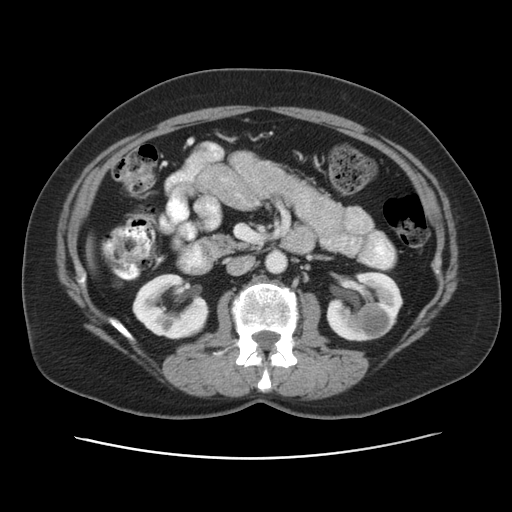
Axial slice 25 of 53 of a contrast-enhanced abdominal CT in the arterial phase (slice 1 is the lowest), 120 kVp, kernel STANDARD; 5.00 mm slice thickness and 0.703 mm pixels.
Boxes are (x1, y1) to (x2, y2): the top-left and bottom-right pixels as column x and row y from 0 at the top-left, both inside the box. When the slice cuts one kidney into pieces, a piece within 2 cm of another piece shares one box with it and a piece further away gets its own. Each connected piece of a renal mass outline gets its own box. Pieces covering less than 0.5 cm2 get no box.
Two kidney boxes and one renal mass box on this slice; by box centre, from the image's left to its right: (1) Right kidney from (132, 273) to (208, 339) (outlined area 3,548 px, about 17.5 cm2). (2) Left kidney, box (326, 271) to (403, 341) (outlined area 2,806 px, about 13.9 cm2). (3) Left renal mass, box (357, 302) to (396, 339) (outlined area 1,164 px, about 5.8 cm2).